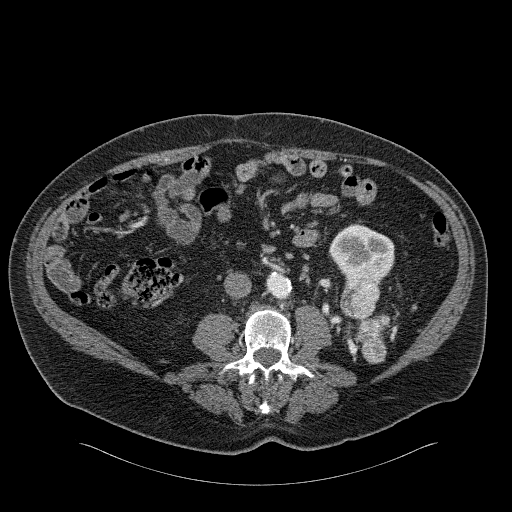
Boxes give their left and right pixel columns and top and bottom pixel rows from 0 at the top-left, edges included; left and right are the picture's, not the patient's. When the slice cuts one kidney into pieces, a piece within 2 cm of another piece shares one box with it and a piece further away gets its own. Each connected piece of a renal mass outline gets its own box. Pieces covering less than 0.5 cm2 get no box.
Slice 74/326 of a contrast-enhanced abdominal CT in the arterial phase, counting up from the lowest; pixel size 0.963 mm, slice thickness 2.00 mm. One kidney box and one renal mass box on this slice; by box centre, from the image's left to its right: (1) Box with left 329, top 224, right 394, bottom 285: left kidney (outlined area 2,819 px, about 26.1 cm2). (2) Left renal mass, the box with left 340, top 275, right 386, bottom 363 (outlined area 2,564 px, about 23.8 cm2).
Acquired at 120 kVp and reconstructed with the B31f kernel.